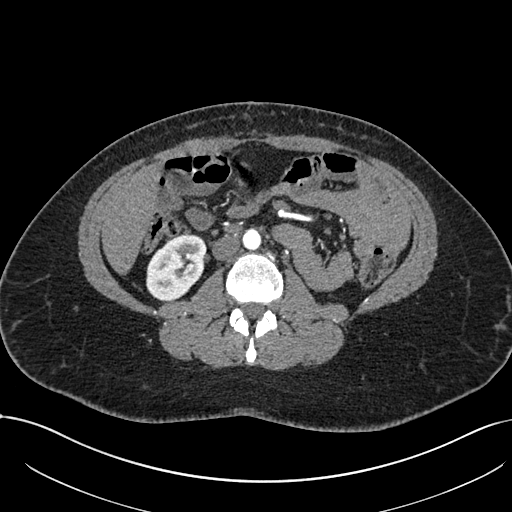
One axial slice (361 of 738, counting up from the lowest) of an arterial-phase abdominal CT acquired with 120 kVp, kernel I30f; each pixel is 0.789 mm and the slice is 1.00 mm thick.
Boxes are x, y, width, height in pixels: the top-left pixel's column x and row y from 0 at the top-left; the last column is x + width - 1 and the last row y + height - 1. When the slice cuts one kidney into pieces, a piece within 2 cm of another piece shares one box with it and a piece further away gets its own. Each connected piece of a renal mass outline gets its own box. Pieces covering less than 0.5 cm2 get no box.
Box x 146, y 234, width 61, height 67: right kidney (outlined area 3,001 px, about 18.7 cm2). No renal mass is outlined on this slice.